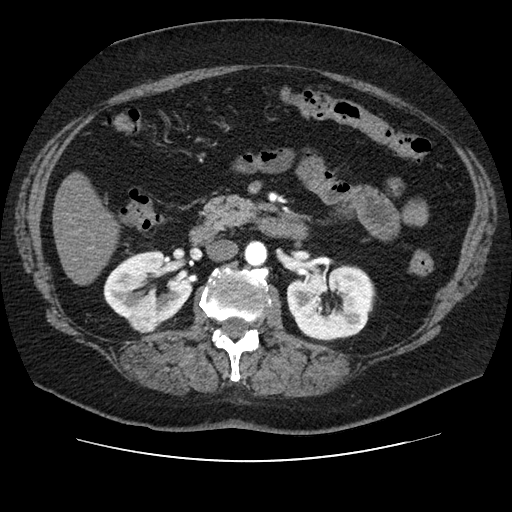
Abdominal CT with intravenous contrast, arterial phase, axial plane, 120 kVp, kernel STANDARD. Slice 55/106 from the bottom of the scan; thickness 2.50 mm; pixel size 0.742 mm.
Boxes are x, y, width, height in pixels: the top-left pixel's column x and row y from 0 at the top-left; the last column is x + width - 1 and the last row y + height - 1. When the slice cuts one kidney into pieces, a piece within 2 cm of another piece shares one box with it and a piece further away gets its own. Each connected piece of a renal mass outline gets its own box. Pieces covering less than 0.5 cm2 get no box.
Two kidney boxes and one renal mass box on this slice; by box centre, from the image's left to its right: (1) Right renal mass, box x 127, y 300, width 35, height 34 (outlined area 816 px, about 4.5 cm2). (2) Right kidney, box x 103, y 250, width 91, height 73 (outlined area 4,077 px, about 22.5 cm2). (3) Left kidney, box x 286, y 264, width 90, height 78 (outlined area 5,180 px, about 28.5 cm2).